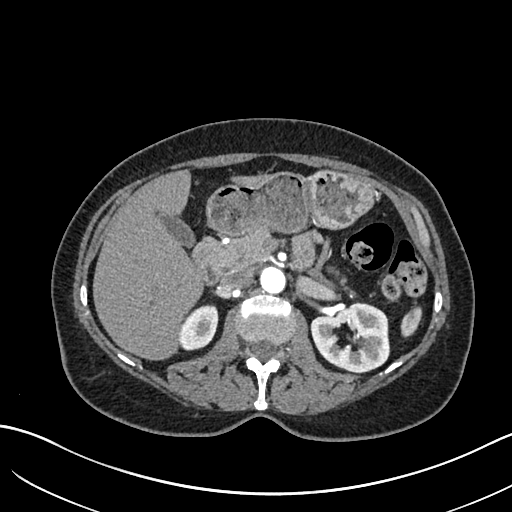
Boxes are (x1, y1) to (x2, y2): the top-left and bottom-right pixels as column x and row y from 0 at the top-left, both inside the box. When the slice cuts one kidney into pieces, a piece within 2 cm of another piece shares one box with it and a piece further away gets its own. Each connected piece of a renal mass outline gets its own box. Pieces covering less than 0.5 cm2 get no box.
This is axial slice 410 of 683 (slice 1 is the lowest) of an arterial-phase abdominal CT with contrast; each pixel is 0.738 mm and the slice is 1.00 mm thick. Two boxes on this slice (two kidney boxes), listed by box centre from the image's left to its right. (1) Box (178, 304) to (218, 350): right kidney (outlined area 1,408 px, about 7.7 cm2). (2) Box (310, 301) to (390, 373): left kidney (outlined area 4,202 px, about 22.9 cm2). This slice carries no renal mass outline.
Scan settings: 120 kVp, I30f reconstruction kernel.